Axial slice 431 of 553 of a contrast-enhanced abdominal CT in the arterial phase (slice 1 is the lowest), 120 kVp, kernel B20f; 1.00 mm slice thickness and 0.773 mm pixels.
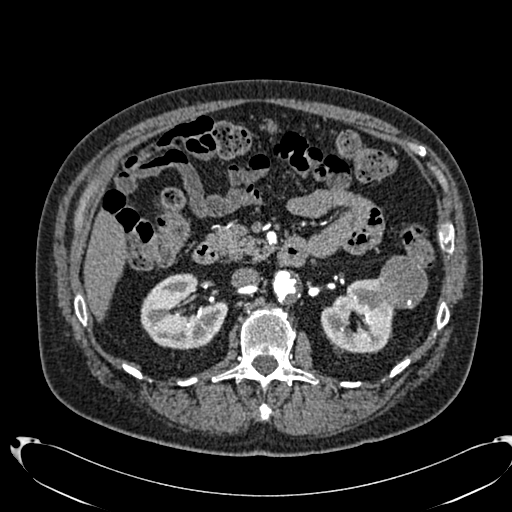
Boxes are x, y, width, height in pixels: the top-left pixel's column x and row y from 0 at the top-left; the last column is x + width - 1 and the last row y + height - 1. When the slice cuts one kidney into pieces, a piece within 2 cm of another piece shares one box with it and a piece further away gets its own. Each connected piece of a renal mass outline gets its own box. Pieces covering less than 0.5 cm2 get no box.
Boxed on this slice (two kidney boxes and one renal mass box), listed by box centre from the image's left to its right: (1) Right kidney, box x 140, y 273, width 89, height 77 (outlined area 4,725 px, about 28.3 cm2). (2) Box x 320, y 278, width 75, height 76: left kidney (outlined area 3,796 px, about 22.7 cm2). (3) Left renal mass at x 378, y 255, width 51, height 54 (outlined area 2,127 px, about 12.7 cm2).